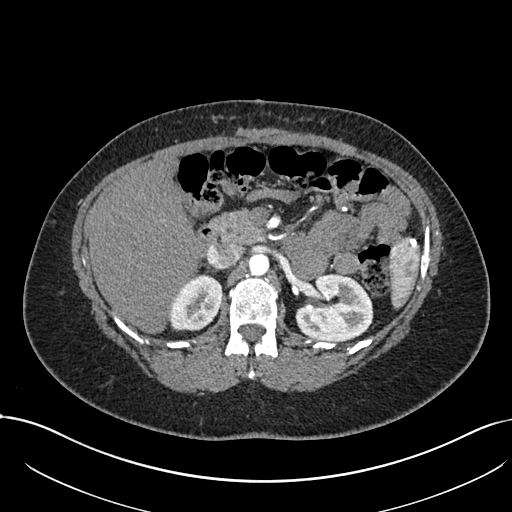
Arterial-phase contrast-enhanced abdominal CT, axial slice 472 of 738 (counted from the lowest slice); tube voltage 120 kVp, convolution kernel I30f; slices 1.00 mm thick, 0.789 mm per pixel.
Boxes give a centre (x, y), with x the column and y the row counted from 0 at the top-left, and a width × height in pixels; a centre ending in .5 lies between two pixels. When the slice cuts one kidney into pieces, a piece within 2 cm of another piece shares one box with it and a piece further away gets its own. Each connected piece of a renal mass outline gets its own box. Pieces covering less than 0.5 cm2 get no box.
Two kidney boxes on this slice; by box centre, from the image's left to its right: (1) Box centre (194, 302.5), 53 × 58 pixels: right kidney (outlined area 2,338 px, about 14.6 cm2). (2) Left kidney in a box with centre (334, 307), 79 × 69 pixels (outlined area 4,126 px, about 25.7 cm2). No renal mass is outlined on this slice.